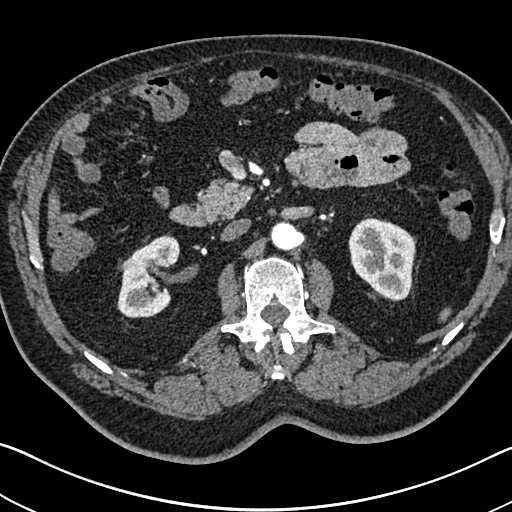
Axial slice 431 of 705 of a contrast-enhanced abdominal CT in the arterial phase (slice 1 is the lowest), 120 kVp, kernel I30f; 1.00 mm slice thickness and 0.703 mm pixels.
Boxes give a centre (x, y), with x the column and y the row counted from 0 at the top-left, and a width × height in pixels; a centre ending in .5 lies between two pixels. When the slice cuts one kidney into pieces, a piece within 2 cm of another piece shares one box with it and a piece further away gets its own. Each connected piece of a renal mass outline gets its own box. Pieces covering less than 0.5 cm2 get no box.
Two kidney boxes on this slice; by box centre, from the image's left to its right: (1) Right kidney, box centre (148.5, 275.5), 64 × 84 pixels (outlined area 3,670 px, about 18.1 cm2). (2) Left kidney in a box with centre (381.5, 259), 68 × 85 pixels (outlined area 4,246 px, about 21.0 cm2). No renal mass outline on this slice.